One axial slice (366 of 673, counting up from the lowest) of an arterial-phase abdominal CT acquired with 140 kVp, kernel I30f; each pixel is 0.957 mm and the slice is 1.00 mm thick.
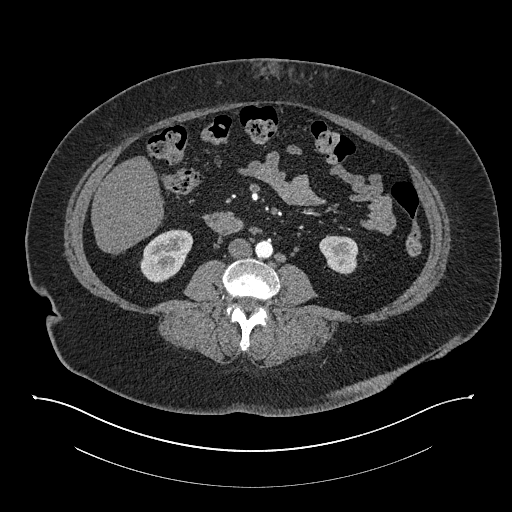
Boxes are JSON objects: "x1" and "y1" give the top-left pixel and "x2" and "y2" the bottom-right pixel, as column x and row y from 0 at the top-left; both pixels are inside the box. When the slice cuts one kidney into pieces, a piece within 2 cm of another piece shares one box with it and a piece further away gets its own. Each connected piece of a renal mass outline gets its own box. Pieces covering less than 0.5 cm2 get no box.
Two kidney boxes on this slice; by box centre, from the image's left to its right: (1) Right kidney, box {"x1": 140, "y1": 229, "x2": 193, "y2": 282} (outlined area 2,012 px, about 18.4 cm2). (2) Left kidney, box {"x1": 319, "y1": 235, "x2": 358, "y2": 274} (outlined area 1,193 px, about 10.9 cm2). This slice carries no renal mass outline.